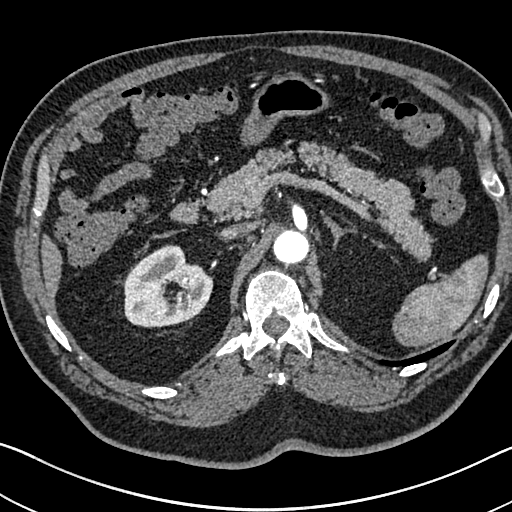
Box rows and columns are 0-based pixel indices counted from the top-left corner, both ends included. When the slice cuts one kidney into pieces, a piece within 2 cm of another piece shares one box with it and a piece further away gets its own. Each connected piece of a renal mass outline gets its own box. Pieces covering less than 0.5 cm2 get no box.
Arterial-phase contrast-enhanced abdominal CT, axial slice 490 of 705 (counted from the lowest slice); 1.00 mm thick, 0.703 mm per pixel. Right kidney at rows 244–327, columns 122–213 (outlined area 5,447 px, about 26.9 cm2). No renal mass outline on this slice.
Tube voltage 120 kVp; convolution kernel I30f.